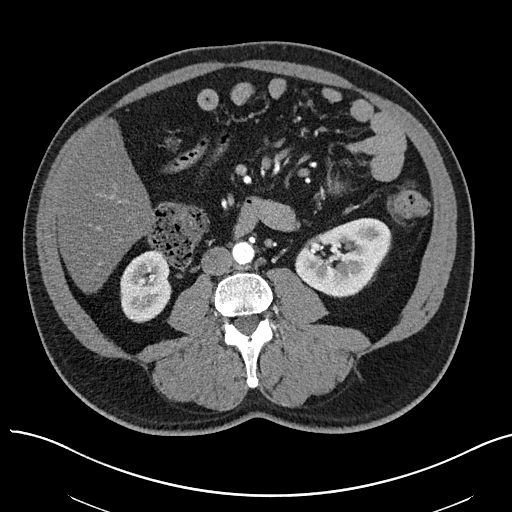
Arterial-phase contrast-enhanced abdominal CT, axial slice 21 of 97 (counted from the lowest slice); tube voltage 100 kVp, convolution kernel I40f; slices 3.00 mm thick, 0.797 mm per pixel.
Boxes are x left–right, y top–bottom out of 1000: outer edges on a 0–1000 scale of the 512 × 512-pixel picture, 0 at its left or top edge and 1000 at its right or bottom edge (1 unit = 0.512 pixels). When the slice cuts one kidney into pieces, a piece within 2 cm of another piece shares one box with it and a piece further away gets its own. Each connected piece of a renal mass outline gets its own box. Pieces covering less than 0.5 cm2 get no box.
Two kidney boxes on this slice; by box centre, from the image's left to its right: (1) Right kidney, box x 234–336, y 486–631 out of 1000 (outlined area 2,980 px, about 18.9 cm2). (2) Left kidney, box x 576–766, y 426–582 out of 1000 (outlined area 5,406 px, about 34.3 cm2). This slice carries no renal mass outline.